Axial slice 361 of 626 of a contrast-enhanced abdominal CT in the arterial phase (slice 1 is the lowest), 120 kVp, kernel I30f; 1.00 mm slice thickness and 0.703 mm pixels.
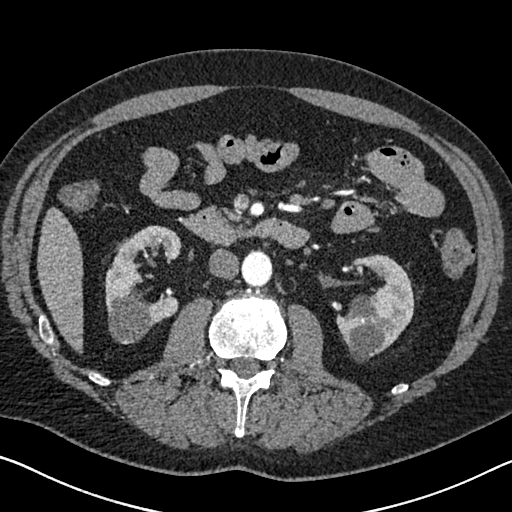
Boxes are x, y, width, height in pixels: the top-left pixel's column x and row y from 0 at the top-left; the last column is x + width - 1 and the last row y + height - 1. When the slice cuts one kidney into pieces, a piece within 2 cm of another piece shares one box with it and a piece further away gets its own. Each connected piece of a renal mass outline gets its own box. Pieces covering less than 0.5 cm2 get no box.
Boxed on this slice (two kidney boxes), listed by box centre from the image's left to its right: (1) Right kidney, box x 104, y 225, width 79, height 120 (outlined area 5,591 px, about 27.6 cm2). (2) Box x 336, y 254, width 78, height 109: left kidney (outlined area 5,222 px, about 25.8 cm2). No renal mass is outlined on this slice.